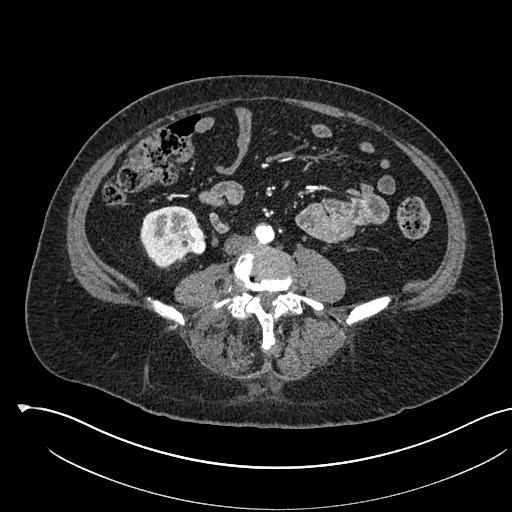
Axial slice 204 of 541 of a contrast-enhanced abdominal CT in the arterial phase (slice 1 is the lowest), 120 kVp, kernel I30f; 1.00 mm slice thickness and 0.834 mm pixels.
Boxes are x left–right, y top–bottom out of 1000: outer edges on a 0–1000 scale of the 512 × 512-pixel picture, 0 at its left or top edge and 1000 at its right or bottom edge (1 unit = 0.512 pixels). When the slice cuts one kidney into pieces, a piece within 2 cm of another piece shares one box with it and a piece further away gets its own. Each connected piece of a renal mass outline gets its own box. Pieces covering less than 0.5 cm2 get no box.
Two boxes on this slice (one kidney box and one renal mass box), listed by box centre from the image's left to its right. (1) Right kidney at x 273–395, y 400–529 out of 1000 (outlined area 2,549 px, about 17.7 cm2). (2) Right renal mass, box x 354–402, y 445–498 out of 1000 (outlined area 549 px, about 3.8 cm2).